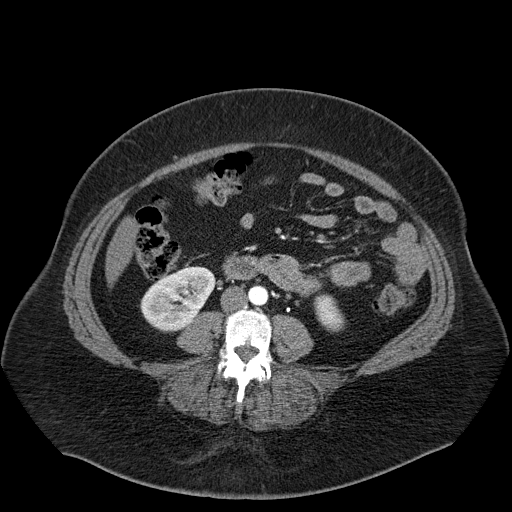
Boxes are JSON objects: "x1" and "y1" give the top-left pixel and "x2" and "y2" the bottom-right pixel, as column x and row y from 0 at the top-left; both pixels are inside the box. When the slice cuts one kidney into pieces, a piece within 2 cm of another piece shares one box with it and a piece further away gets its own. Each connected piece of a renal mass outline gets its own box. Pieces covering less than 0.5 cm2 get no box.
Contrast-enhanced abdominal CT, axial slice 25 of 55 (counted from the lowest slice); 5.00 mm thick, 0.908 mm per pixel. Boxed on this slice (two kidney boxes), listed by box centre from the image's left to its right: (1) Right kidney, box {"x1": 140, "y1": 266, "x2": 215, "y2": 332} (outlined area 3,441 px, about 28.4 cm2). (2) Box {"x1": 313, "y1": 294, "x2": 345, "y2": 332}: left kidney (outlined area 856 px, about 7.1 cm2). This slice carries no renal mass outline.
Acquired at 120 kVp and reconstructed with the B30f kernel.